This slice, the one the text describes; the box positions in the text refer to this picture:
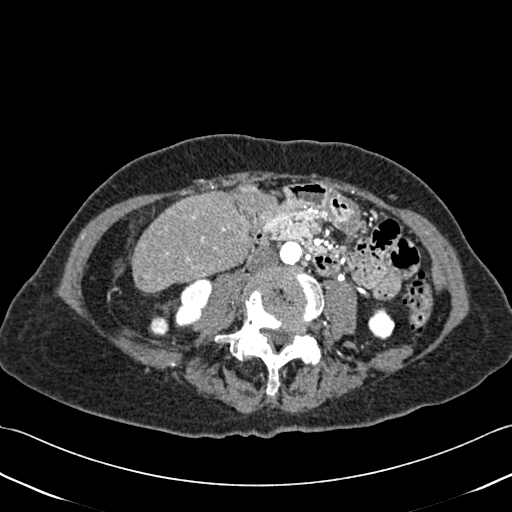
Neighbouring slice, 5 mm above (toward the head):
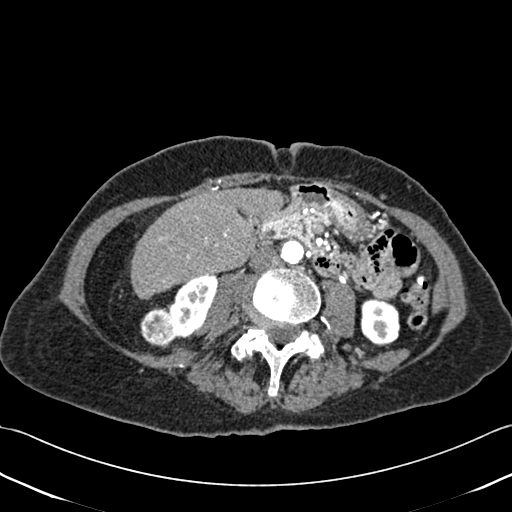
Abdominal CT with intravenous contrast, axial plane, 120 kVp, kernel B30f. Slice 167/433 from the bottom of the scan; thickness 1.00 mm; pixel size 0.672 mm.
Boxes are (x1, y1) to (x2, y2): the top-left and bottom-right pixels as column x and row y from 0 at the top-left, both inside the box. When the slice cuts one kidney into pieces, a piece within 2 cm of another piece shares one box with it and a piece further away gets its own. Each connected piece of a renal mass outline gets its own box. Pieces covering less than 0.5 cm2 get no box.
Three boxes on this slice (two kidney boxes and one renal mass box), listed by box centre from the image's left to its right. (1) Right renal mass from (149, 316) to (168, 336) (outlined area 332 px, about 1.5 cm2). (2) Right kidney from (174, 278) to (211, 327) (outlined area 1,213 px, about 5.5 cm2). (3) Box (368, 307) to (394, 339): left kidney (outlined area 640 px, about 2.9 cm2). This slice is near the end of the right renal mass toward the feet, so the slice 5 mm above it is shown as well; the boxes refer to this slice only.